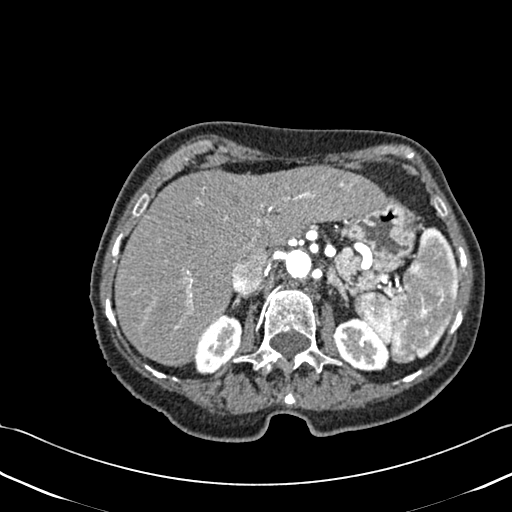
Contrast-enhanced abdominal CT, axial slice 322 of 433 (counted from the lowest slice); tube voltage 120 kVp, convolution kernel B30f; slices 1.00 mm thick, 0.672 mm per pixel.
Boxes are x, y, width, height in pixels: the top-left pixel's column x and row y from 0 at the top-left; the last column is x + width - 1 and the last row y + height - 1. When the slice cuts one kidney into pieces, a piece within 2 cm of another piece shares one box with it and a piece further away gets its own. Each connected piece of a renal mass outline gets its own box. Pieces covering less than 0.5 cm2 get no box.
Two boxes on this slice (two kidney boxes), listed by box centre from the image's left to its right. (1) Right kidney at x 195, y 314, width 49, height 61 (outlined area 1,989 px, about 9.0 cm2). (2) Left kidney at x 333, y 318, width 59, height 54 (outlined area 2,171 px, about 9.8 cm2). No renal mass is outlined on this slice.